Axial slice 161 of 301 of a contrast-enhanced abdominal CT (slice 1 is the lowest), 120 kVp, kernel I40f; 2.00 mm slice thickness and 0.859 mm pixels.
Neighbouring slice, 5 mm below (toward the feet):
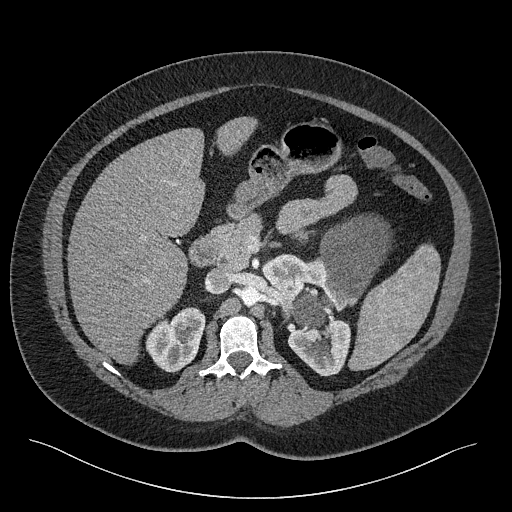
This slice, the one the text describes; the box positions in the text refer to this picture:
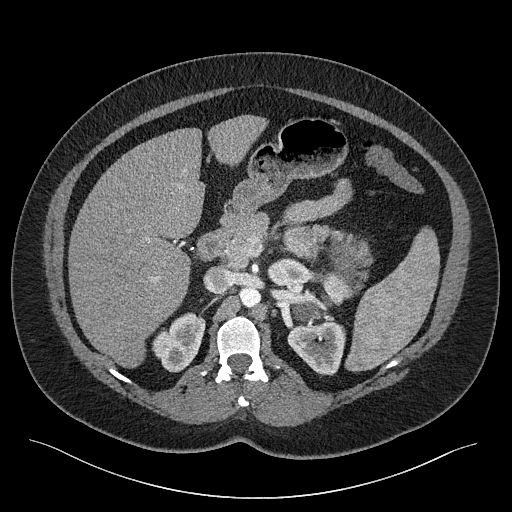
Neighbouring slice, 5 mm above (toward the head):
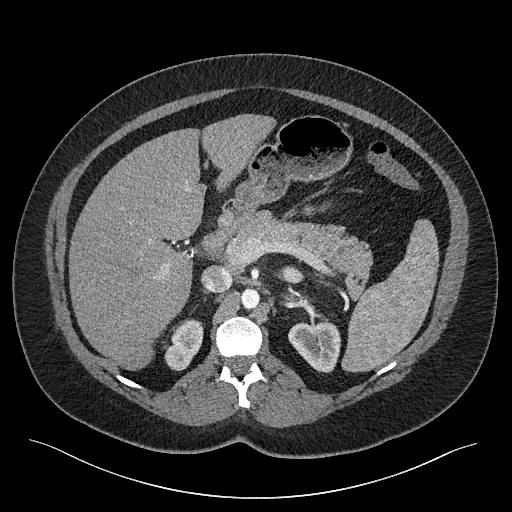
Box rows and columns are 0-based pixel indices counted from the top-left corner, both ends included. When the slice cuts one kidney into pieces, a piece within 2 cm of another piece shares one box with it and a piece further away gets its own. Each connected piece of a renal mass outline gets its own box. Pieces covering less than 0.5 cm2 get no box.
Boxed on this slice (three kidney boxes and two renal mass boxes), listed by box centre from the image's left to its right: (1) Right kidney, box rows 312–372, columns 152–205 (outlined area 2,155 px, about 15.9 cm2). (2) Left kidney (one of two boxed parts), box rows 258–292, columns 267–311 (outlined area 1,077 px, about 8.0 cm2). (3) Left renal mass at rows 300–322, columns 291–320 (outlined area 493 px, about 3.6 cm2). (4) Box rows 322–374, columns 287–345: left kidney (one of two boxed parts) (outlined area 2,281 px, about 16.8 cm2). (5) Box rows 230–305, columns 309–372: left renal mass (outlined area 2,638 px, about 19.5 cm2). This slice lies near the end of the left renal mass toward the head; the slices 5 mm below and 5 mm above it are shown too, and the boxes mark positions on this slice only.